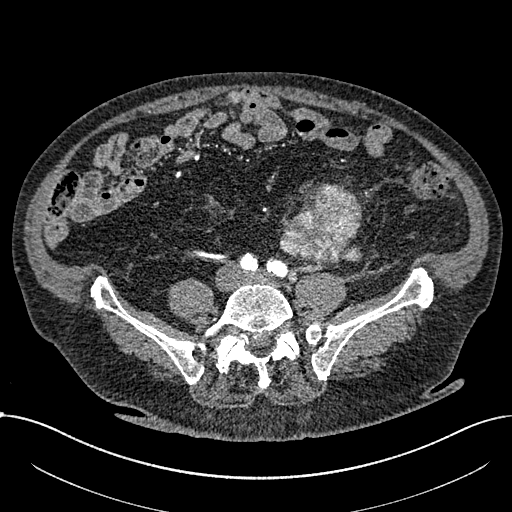
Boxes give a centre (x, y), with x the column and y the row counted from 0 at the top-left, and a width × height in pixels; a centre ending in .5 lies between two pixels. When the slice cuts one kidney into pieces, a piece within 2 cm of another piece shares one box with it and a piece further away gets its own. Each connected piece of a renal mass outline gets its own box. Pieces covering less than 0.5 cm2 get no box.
Arterial-phase contrast-enhanced abdominal CT, axial slice 187 of 1059 (counted from the lowest slice); 1.00 mm thick, 0.811 mm per pixel. Box centre (320.5, 223.5), 84 × 82 pixels: renal mass (outlined area 4,803 px, about 31.6 cm2); no kidney outline appears on this slice, but the same outlined renal mass comes within 1 cm of the kidney on another slice.
Acquired at 100 kVp and reconstructed with the I30f kernel.